Abdominal CT with intravenous contrast, axial plane, 100 kVp, kernel I40f. Slice 274/470 from the bottom of the scan; thickness 2.00 mm; pixel size 0.824 mm.
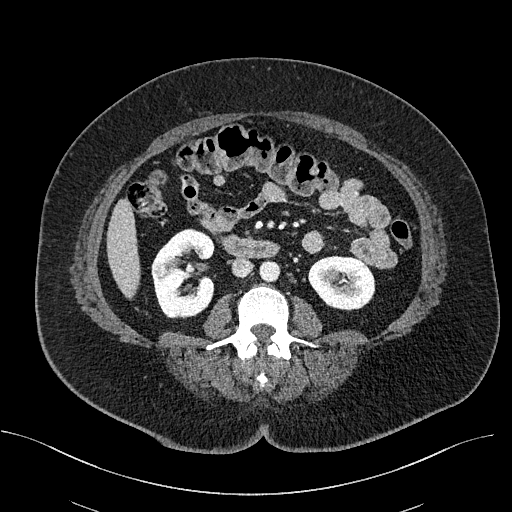
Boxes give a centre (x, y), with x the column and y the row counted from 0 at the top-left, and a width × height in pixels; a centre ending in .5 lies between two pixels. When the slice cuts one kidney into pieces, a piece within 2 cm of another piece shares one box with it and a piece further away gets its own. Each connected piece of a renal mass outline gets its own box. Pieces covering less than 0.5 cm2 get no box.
Boxed on this slice (two kidney boxes and one renal mass box), listed by box centre from the image's left to its right: (1) Right renal mass in a box with centre (161, 270), 21 × 19 pixels (outlined area 321 px, about 2.2 cm2). (2) Right kidney in a box with centre (183.5, 273), 64 × 91 pixels (outlined area 4,012 px, about 27.3 cm2). (3) Left kidney, box centre (341.5, 282.5), 68 × 56 pixels (outlined area 2,921 px, about 19.8 cm2).